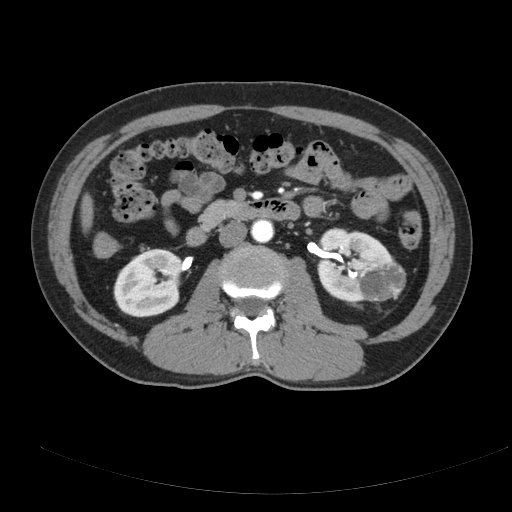
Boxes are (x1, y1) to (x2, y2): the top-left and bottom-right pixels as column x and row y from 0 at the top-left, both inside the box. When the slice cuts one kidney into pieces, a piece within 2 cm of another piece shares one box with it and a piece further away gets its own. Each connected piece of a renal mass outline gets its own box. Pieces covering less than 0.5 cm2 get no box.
Slice 104/178 of a contrast-enhanced abdominal CT, counting up from the lowest; pixel size 0.818 mm, slice thickness 3.00 mm. Two kidney boxes and one renal mass box on this slice; by box centre, from the image's left to its right: (1) Box (113, 248) to (182, 317): right kidney (outlined area 3,780 px, about 25.3 cm2). (2) Left kidney from (316, 227) to (394, 302) (outlined area 3,628 px, about 24.3 cm2). (3) Box (359, 260) to (406, 302): left renal mass (outlined area 1,564 px, about 10.5 cm2).
Acquired at 120 kVp and reconstructed with the B kernel.